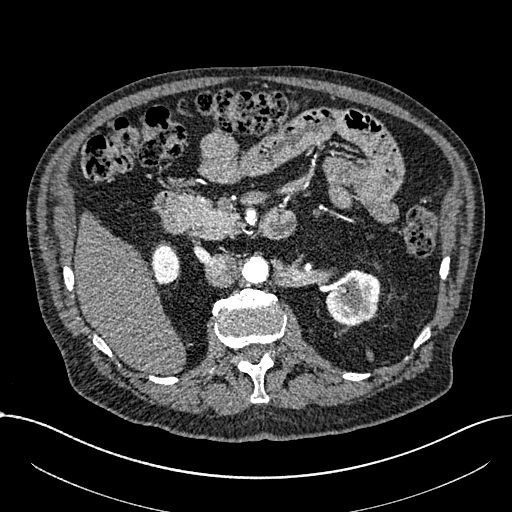
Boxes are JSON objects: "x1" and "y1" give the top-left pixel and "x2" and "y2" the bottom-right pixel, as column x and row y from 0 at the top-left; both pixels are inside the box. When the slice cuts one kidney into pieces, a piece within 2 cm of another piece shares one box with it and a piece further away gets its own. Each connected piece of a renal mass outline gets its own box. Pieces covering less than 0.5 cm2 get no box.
Slice 424/1059 of a contrast-enhanced abdominal CT in the arterial phase, counting up from the lowest; pixel size 0.811 mm, slice thickness 1.00 mm. Boxed on this slice (two kidney boxes), listed by box centre from the image's left to its right: (1) Right part of the midline-crossing kidney, box {"x1": 151, "y1": 244, "x2": 179, "y2": 284} (outlined area 930 px, about 6.1 cm2). (2) Left part of the midline-crossing kidney at {"x1": 326, "y1": 269, "x2": 380, "y2": 325} (outlined area 2,398 px, about 15.8 cm2). No renal mass outline on this slice.
Scan settings: 100 kVp, I30f reconstruction kernel.